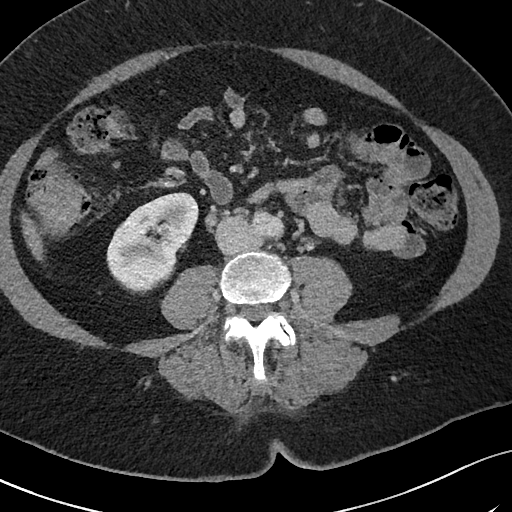
One axial slice (27 of 69, counting up from the lowest) of an arterial-phase abdominal CT acquired with 120 kVp, kernel I40f; each pixel is 0.664 mm and the slice is 3.00 mm thick.
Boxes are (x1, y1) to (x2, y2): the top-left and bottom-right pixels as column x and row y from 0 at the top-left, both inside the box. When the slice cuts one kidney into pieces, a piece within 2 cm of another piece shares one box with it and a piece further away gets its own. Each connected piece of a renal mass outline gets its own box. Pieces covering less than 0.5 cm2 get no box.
Right kidney from (106, 192) to (198, 294) (outlined area 6,259 px, about 27.6 cm2). This slice carries no renal mass outline.